One axial slice (280 of 439, counting up from the lowest) of a contrast-enhanced abdominal CT acquired with 100 kVp, kernel I40f; each pixel is 0.850 mm and the slice is 2.00 mm thick.
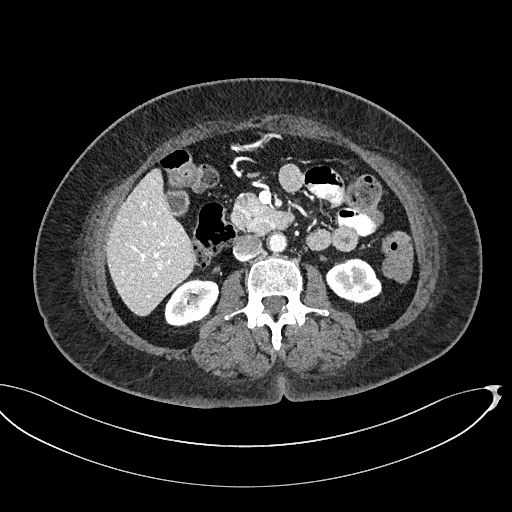
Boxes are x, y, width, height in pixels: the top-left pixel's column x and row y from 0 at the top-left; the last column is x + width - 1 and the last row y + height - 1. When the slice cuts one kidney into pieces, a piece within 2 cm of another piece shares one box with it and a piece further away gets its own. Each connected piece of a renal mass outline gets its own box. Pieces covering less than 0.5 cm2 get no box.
Two kidney boxes on this slice; by box centre, from the image's left to its right: (1) Box x 164, y 278, width 56, height 49: right kidney (outlined area 1,939 px, about 14.0 cm2). (2) Left kidney, box x 325, y 258, width 57, height 47 (outlined area 1,897 px, about 13.7 cm2). No renal mass is outlined on this slice.